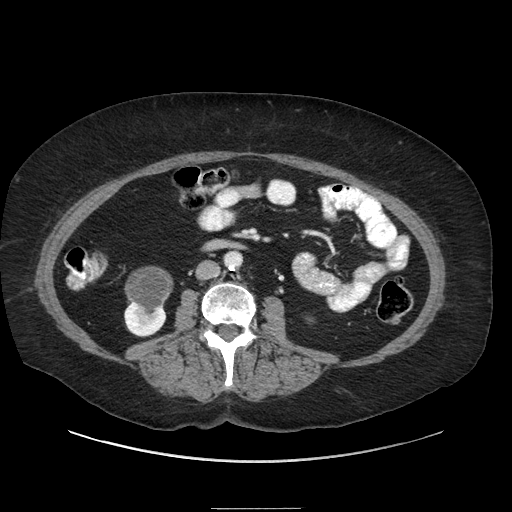
Axial slice 107 of 186 of a contrast-enhanced abdominal CT (slice 1 is the lowest), 120 kVp, kernel STANDARD; 2.50 mm slice thickness and 0.850 mm pixels.
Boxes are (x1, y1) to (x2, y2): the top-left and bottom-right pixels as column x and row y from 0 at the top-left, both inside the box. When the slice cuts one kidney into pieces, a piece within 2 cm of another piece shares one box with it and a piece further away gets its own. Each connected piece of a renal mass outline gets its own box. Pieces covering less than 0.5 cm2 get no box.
One kidney box and one renal mass box on this slice; by box centre, from the image's left to its right: (1) Right kidney, box (124, 300) to (166, 337) (outlined area 794 px, about 5.7 cm2). (2) Box (124, 266) to (173, 323): right renal mass (outlined area 1,943 px, about 14.0 cm2).